Axial slice 27 of 76 of a contrast-enhanced abdominal CT (slice 1 is the lowest), 120 kVp, kernel B; 3.00 mm slice thickness and 0.684 mm pixels.
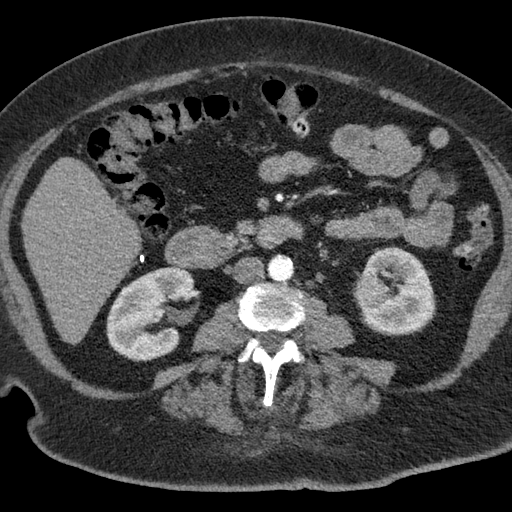
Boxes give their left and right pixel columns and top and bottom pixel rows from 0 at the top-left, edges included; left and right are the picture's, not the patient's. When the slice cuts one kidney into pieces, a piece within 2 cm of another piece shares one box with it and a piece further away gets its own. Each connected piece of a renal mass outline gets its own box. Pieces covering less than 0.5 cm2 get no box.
Two kidney boxes and one renal mass box on this slice; by box centre, from the image's left to its right: (1) Box with left 106, top 266, right 200, bottom 361: right kidney (outlined area 6,104 px, about 28.5 cm2). (2) Left renal mass, the box with left 353, top 265, right 389, bottom 308 (outlined area 1,050 px, about 4.9 cm2). (3) Left kidney in the box with left 360, top 246, right 436, bottom 335 (outlined area 4,598 px, about 21.5 cm2).